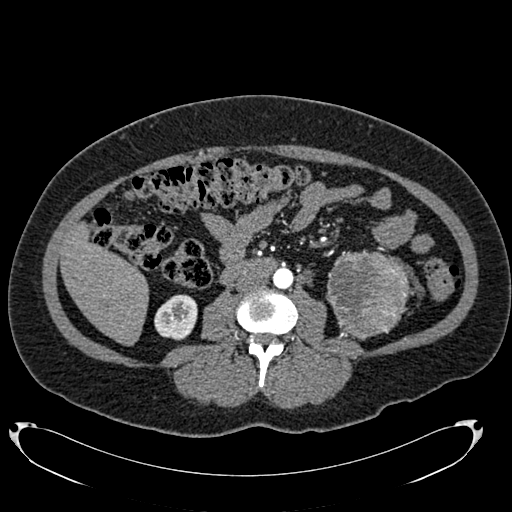
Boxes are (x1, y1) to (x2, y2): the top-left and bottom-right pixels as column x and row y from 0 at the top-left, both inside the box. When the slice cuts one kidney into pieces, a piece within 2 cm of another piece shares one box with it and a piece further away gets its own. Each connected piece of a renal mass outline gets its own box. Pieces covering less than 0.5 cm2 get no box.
This is axial slice 344 of 634 (slice 1 is the lowest) of an arterial-phase abdominal CT with contrast; each pixel is 0.838 mm and the slice is 1.00 mm thick. Boxed on this slice (one kidney box and one renal mass box), listed by box centre from the image's left to its right: (1) Right kidney, box (154, 294) to (197, 340) (outlined area 1,560 px, about 11.0 cm2). (2) Box (326, 249) to (412, 340): left renal mass (outlined area 5,792 px, about 40.7 cm2); it sits over 1 cm from every kidney outline on this slice, but the same outlined renal mass comes within 1 cm of the kidney on another slice.
Acquired at 120 kVp and reconstructed with the B20f kernel.